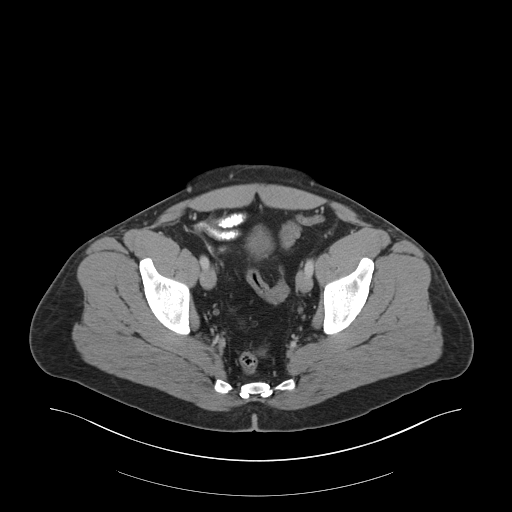
Abdominal CT with intravenous contrast, arterial phase, axial plane, 140 kVp, kernel B30f. Slice 37/159 from the bottom of the scan; thickness 3.00 mm; pixel size 0.977 mm.
No kidney and no renal mass is outlined on this slice; the outlines in this scan cover only the kidneys and the renal masses, so nothing is said about any other organ.